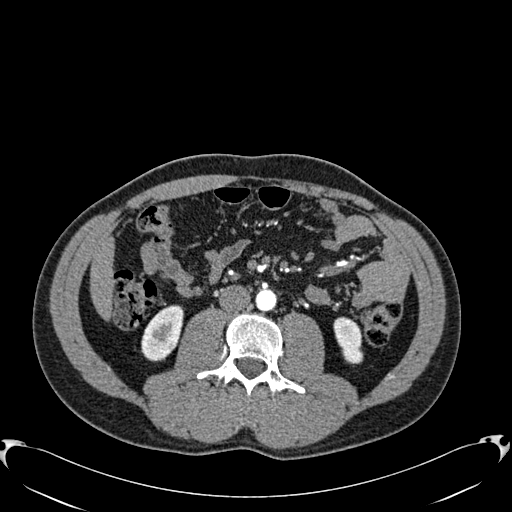
Abdominal CT with intravenous contrast, arterial phase, axial plane, 120 kVp, kernel B30f. Slice 280/512 from the bottom of the scan; thickness 1.00 mm; pixel size 0.771 mm.
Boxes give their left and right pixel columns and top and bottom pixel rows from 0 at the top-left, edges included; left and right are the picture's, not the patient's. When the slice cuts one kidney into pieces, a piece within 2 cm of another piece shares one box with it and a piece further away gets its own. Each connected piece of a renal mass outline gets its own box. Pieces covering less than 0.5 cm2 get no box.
Two kidney boxes on this slice; by box centre, from the image's left to its right: (1) Right kidney, the box with left 141, top 305, right 183, bottom 361 (outlined area 1,726 px, about 10.3 cm2). (2) Box with left 333, top 316, right 363, bottom 364: left kidney (outlined area 1,054 px, about 6.3 cm2). No renal mass outline on this slice.